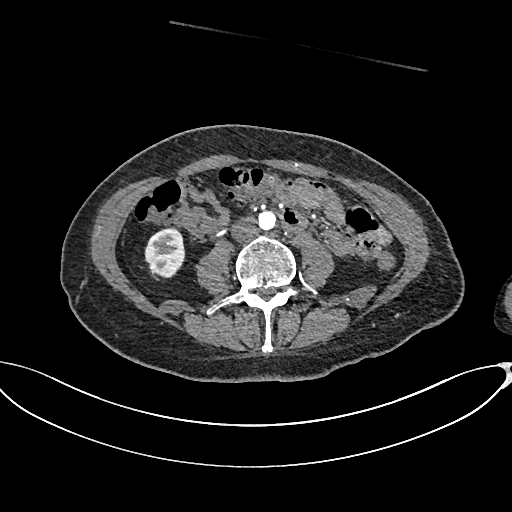
One axial slice (293 of 665, counting up from the lowest) of an arterial-phase abdominal CT acquired with 100 kVp, kernel I26f; each pixel is 0.828 mm and the slice is 1.00 mm thick.
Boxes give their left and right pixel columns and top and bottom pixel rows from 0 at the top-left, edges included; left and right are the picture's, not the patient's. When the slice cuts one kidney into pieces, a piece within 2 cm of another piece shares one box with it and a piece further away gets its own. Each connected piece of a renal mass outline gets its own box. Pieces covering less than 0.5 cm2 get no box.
Right kidney, the box with left 144, top 228, right 184, bottom 277 (outlined area 1,545 px, about 10.6 cm2). No renal mass is outlined on this slice.